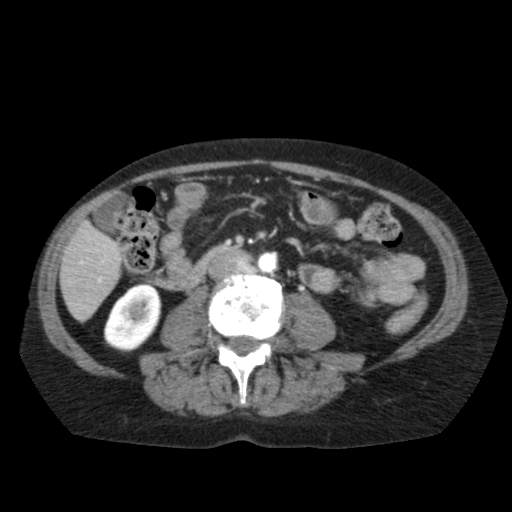
Arterial-phase contrast-enhanced abdominal CT, axial slice 50 of 79 (counted from the lowest slice); tube voltage 120 kVp, convolution kernel FC11; slices 5.00 mm thick, 0.686 mm per pixel.
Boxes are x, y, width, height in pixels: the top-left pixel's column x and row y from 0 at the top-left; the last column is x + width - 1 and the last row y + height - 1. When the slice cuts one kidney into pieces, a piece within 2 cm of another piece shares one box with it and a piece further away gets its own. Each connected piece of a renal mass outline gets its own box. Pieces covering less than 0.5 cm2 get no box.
Box x 103, y 282, width 59, height 70: right kidney (outlined area 2,929 px, about 13.8 cm2). This slice carries no renal mass outline.